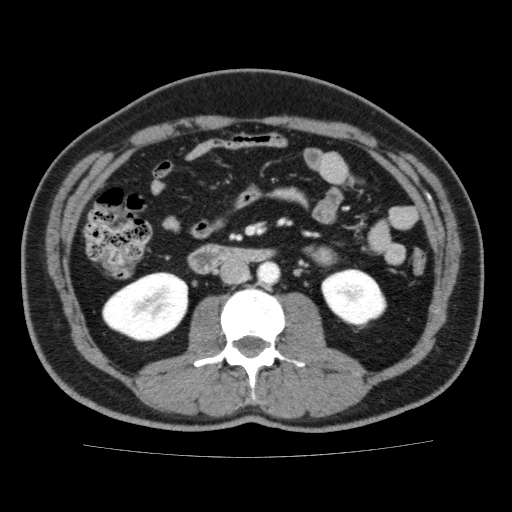
Contrast-enhanced abdominal CT, axial slice 92 of 159 (counted from the lowest slice); tube voltage 120 kVp, convolution kernel FC13; slices 3.00 mm thick, 0.668 mm per pixel.
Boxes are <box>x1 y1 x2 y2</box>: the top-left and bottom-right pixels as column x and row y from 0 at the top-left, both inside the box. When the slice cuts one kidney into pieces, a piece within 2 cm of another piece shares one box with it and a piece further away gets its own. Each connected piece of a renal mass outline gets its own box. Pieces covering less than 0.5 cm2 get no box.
Boxed on this slice (two kidney boxes), listed by box centre from the image's left to its right: (1) Right kidney: <box>102 272 188 341</box> (outlined area 4,488 px, about 20.0 cm2). (2) Left kidney at <box>321 268 386 328</box> (outlined area 2,809 px, about 12.5 cm2). No renal mass is outlined on this slice.